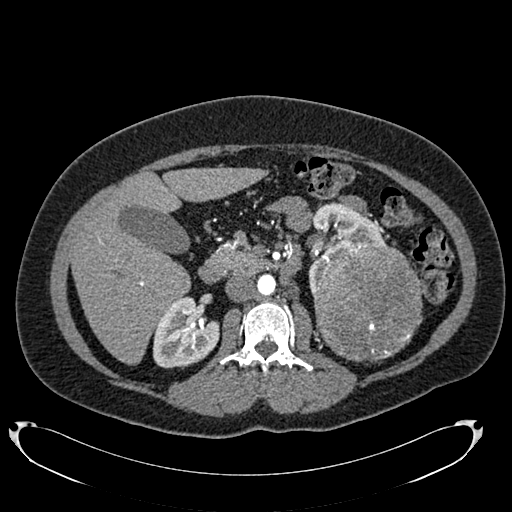
Axial slice 436 of 634 of a contrast-enhanced abdominal CT in the arterial phase (slice 1 is the lowest), 120 kVp, kernel B20f; 1.00 mm slice thickness and 0.838 mm pixels.
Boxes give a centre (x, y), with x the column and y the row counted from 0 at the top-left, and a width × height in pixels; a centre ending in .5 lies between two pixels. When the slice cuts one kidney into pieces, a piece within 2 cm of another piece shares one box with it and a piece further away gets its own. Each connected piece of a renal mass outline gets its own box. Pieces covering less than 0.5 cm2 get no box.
Boxed on this slice (two kidney boxes and one renal mass box), listed by box centre from the image's left to its right: (1) Box centre (186, 332), 67 × 73 pixels: right kidney (outlined area 3,531 px, about 24.8 cm2). (2) Box centre (346.5, 248), 78 × 93 pixels: left kidney (outlined area 2,960 px, about 20.8 cm2). (3) Left renal mass in a box with centre (367.5, 302), 110 × 119 pixels (outlined area 10,544 px, about 74.0 cm2).